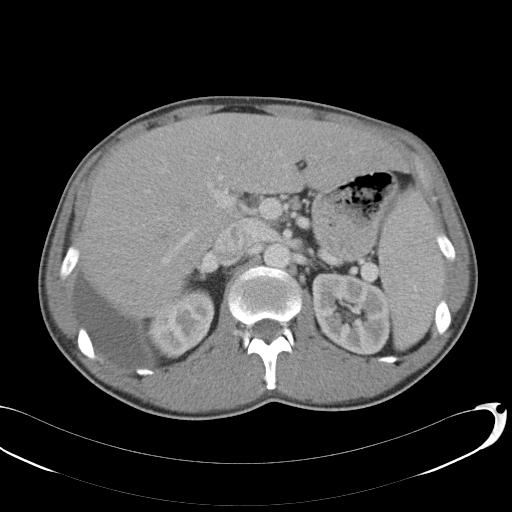
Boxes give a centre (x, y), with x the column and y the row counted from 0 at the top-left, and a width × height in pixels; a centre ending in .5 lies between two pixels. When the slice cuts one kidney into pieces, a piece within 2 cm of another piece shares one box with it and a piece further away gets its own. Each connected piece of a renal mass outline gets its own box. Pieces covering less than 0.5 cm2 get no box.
Contrast-enhanced abdominal CT, axial slice 73 of 146 (counted from the lowest slice); 5.00 mm thick, 0.742 mm per pixel. Boxed on this slice (two kidney boxes), listed by box centre from the image's left to its right: (1) Box centre (180.5, 323.5), 68 × 72 pixels: right kidney (outlined area 3,268 px, about 18.0 cm2). (2) Left kidney in a box with centre (351, 314), 79 × 83 pixels (outlined area 5,162 px, about 28.4 cm2). This slice carries no renal mass outline.
Acquired at 120 kVp and reconstructed with the B31f kernel.